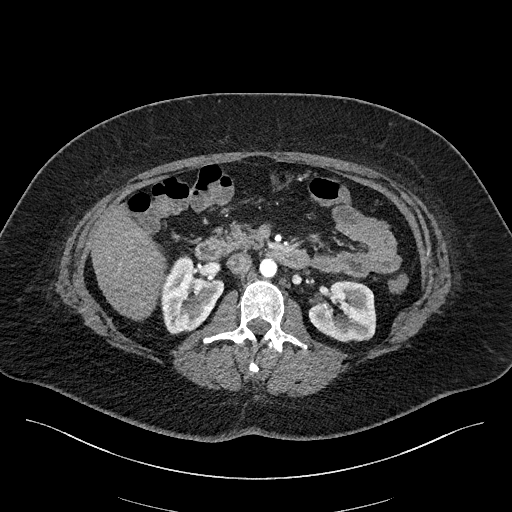
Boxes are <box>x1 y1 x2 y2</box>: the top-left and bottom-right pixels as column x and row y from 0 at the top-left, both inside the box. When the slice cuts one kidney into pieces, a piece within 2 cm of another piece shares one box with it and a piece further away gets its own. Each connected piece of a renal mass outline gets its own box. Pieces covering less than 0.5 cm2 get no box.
Arterial-phase contrast-enhanced abdominal CT, axial slice 108 of 270 (counted from the lowest slice); 2.00 mm thick, 0.855 mm per pixel. Boxed on this slice (two kidney boxes), listed by box centre from the image's left to its right: (1) Right kidney: <box>160 254 224 334</box> (outlined area 3,525 px, about 25.8 cm2). (2) Left kidney: <box>308 280 376 342</box> (outlined area 3,237 px, about 23.7 cm2). This slice carries no renal mass outline.
Acquired at 100 kVp and reconstructed with the I40f kernel.